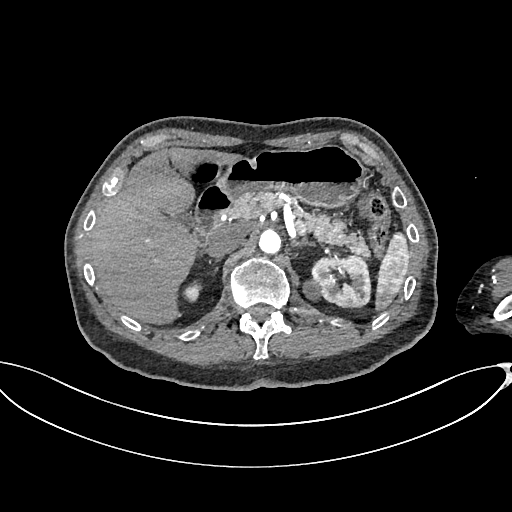
Abdominal CT with intravenous contrast, arterial phase, axial plane, 100 kVp, kernel I26f. Slice 460/665 from the bottom of the scan; thickness 1.00 mm; pixel size 0.828 mm.
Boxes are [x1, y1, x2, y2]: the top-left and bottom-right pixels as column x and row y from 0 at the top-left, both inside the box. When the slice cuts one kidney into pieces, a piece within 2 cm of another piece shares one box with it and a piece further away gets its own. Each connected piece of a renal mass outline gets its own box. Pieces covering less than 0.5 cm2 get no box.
Boxed on this slice (two kidney boxes and one renal mass box), listed by box centre from the image's left to its right: (1) Box [182, 280, 202, 302]: right kidney (outlined area 301 px, about 2.1 cm2). (2) Left renal mass, box [302, 277, 321, 300] (outlined area 317 px, about 2.2 cm2). (3) Left kidney, box [310, 256, 370, 308] (outlined area 2,472 px, about 17.0 cm2).